Arterial-phase contrast-enhanced abdominal CT, axial slice 106 of 304 (counted from the lowest slice); tube voltage 100 kVp, convolution kernel I30f; slices 2.00 mm thick, 0.809 mm per pixel.
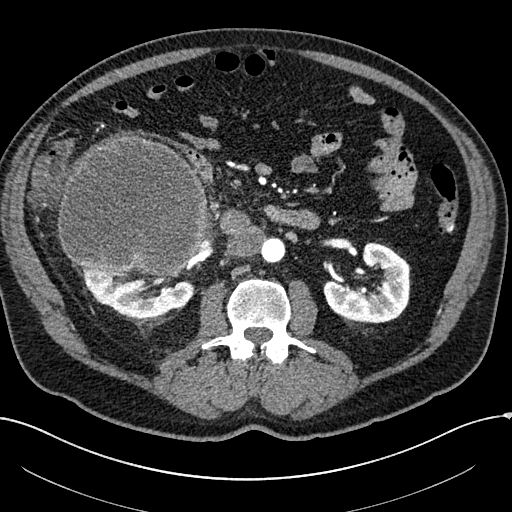
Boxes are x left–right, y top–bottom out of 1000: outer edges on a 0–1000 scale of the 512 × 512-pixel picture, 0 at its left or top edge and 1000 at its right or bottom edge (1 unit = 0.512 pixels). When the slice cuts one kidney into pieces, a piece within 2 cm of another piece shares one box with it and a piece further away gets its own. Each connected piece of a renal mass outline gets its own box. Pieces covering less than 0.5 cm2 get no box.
Three boxes on this slice (two kidney boxes and one renal mass box), listed by box centre from the image's left to its right. (1) Right renal mass, box x 113–406, y 266–537 out of 1000 (outlined area 16,824 px, about 110.0 cm2). (2) Right kidney, box x 156–381, y 520–625 out of 1000 (outlined area 3,983 px, about 26.0 cm2). (3) Left kidney at x 631–805, y 471–635 out of 1000 (outlined area 4,631 px, about 30.3 cm2).